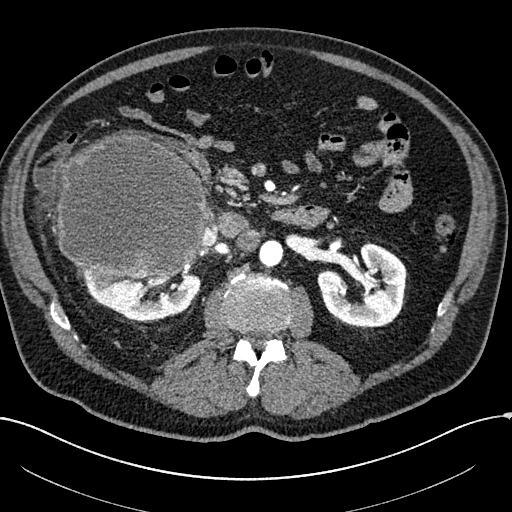
Abdominal CT with intravenous contrast, arterial phase, axial plane, 100 kVp, kernel I30f. Slice 116/304 from the bottom of the scan; thickness 2.00 mm; pixel size 0.809 mm.
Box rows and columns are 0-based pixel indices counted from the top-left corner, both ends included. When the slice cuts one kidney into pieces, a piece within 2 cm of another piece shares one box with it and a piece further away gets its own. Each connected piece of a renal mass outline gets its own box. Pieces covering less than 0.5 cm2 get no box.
Two kidney boxes and one renal mass box on this slice; by box centre, from the image's left to its right: (1) Right renal mass at rows 131–277, columns 56–207 (outlined area 18,063 px, about 118.1 cm2). (2) Right kidney, box rows 260–320, columns 76–201 (outlined area 4,277 px, about 28.0 cm2). (3) Left kidney at rows 241–328, columns 317–407 (outlined area 5,291 px, about 34.6 cm2).